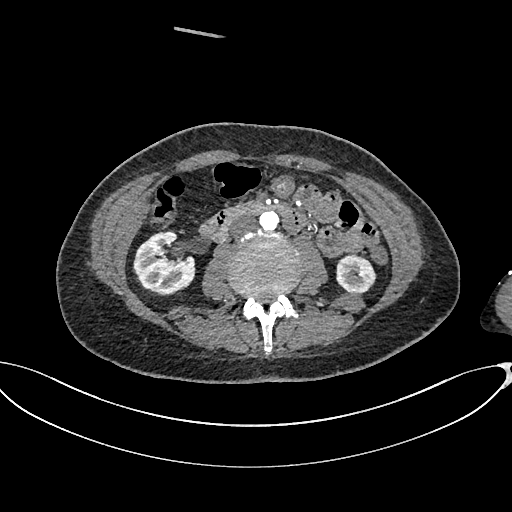
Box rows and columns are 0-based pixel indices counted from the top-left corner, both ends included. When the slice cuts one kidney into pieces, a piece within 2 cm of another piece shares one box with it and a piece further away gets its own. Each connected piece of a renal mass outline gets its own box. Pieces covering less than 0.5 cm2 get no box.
This is axial slice 332 of 665 (slice 1 is the lowest) of an arterial-phase abdominal CT with contrast; each pixel is 0.828 mm and the slice is 1.00 mm thick. Two boxes on this slice (two kidney boxes), listed by box centre from the image's left to its right. (1) Right kidney, box rows 231–295, columns 133–195 (outlined area 3,008 px, about 20.6 cm2). (2) Left kidney at rows 254–293, columns 336–376 (outlined area 1,247 px, about 8.6 cm2). This slice carries no renal mass outline.
Acquired at 100 kVp and reconstructed with the I26f kernel.